Abdominal CT with intravenous contrast, arterial phase, axial plane, 120 kVp, kernel I30f. Slice 96/261 from the bottom of the scan; thickness 2.00 mm; pixel size 0.939 mm.
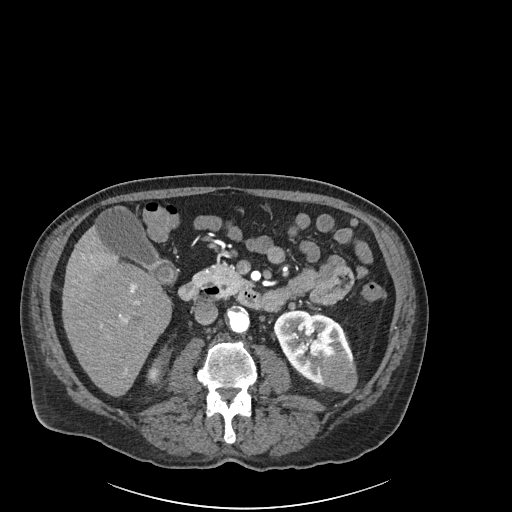
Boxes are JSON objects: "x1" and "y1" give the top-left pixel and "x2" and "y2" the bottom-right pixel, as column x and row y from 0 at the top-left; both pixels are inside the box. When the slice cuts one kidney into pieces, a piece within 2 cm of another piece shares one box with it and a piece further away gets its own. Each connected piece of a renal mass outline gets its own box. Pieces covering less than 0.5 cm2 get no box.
Two kidney boxes and one renal mass box on this slice; by box centre, from the image's left to its right: (1) Box {"x1": 147, "y1": 359, "x2": 161, "y2": 380}: right kidney (outlined area 218 px, about 1.9 cm2). (2) Box {"x1": 273, "y1": 310, "x2": 353, "y2": 386}: left kidney (outlined area 3,478 px, about 30.7 cm2). (3) Left renal mass at {"x1": 319, "y1": 352, "x2": 357, "y2": 392} (outlined area 1,233 px, about 10.9 cm2).